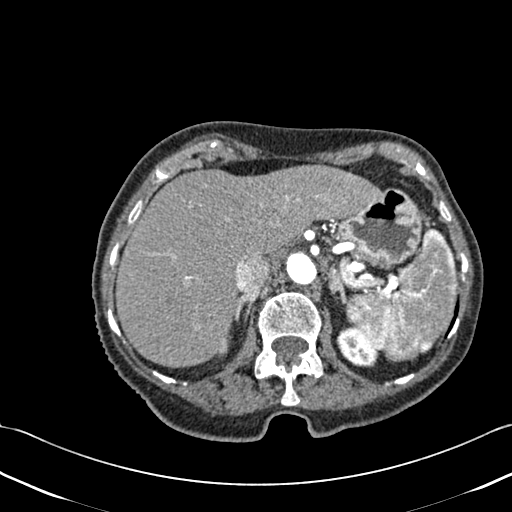
Axial slice 336 of 433 of a contrast-enhanced abdominal CT (slice 1 is the lowest), 120 kVp, kernel B30f; 1.00 mm slice thickness and 0.672 mm pixels.
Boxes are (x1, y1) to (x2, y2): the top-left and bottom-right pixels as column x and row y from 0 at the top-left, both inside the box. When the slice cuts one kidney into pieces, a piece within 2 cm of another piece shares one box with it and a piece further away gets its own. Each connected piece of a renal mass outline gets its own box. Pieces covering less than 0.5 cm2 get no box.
Boxed on this slice (two kidney boxes), listed by box centre from the image's left to its right: (1) Right kidney, box (221, 333) to (231, 350) (outlined area 124 px, about 0.6 cm2). (2) Left kidney from (336, 325) to (380, 367) (outlined area 1,244 px, about 5.6 cm2). No renal mass outline on this slice.